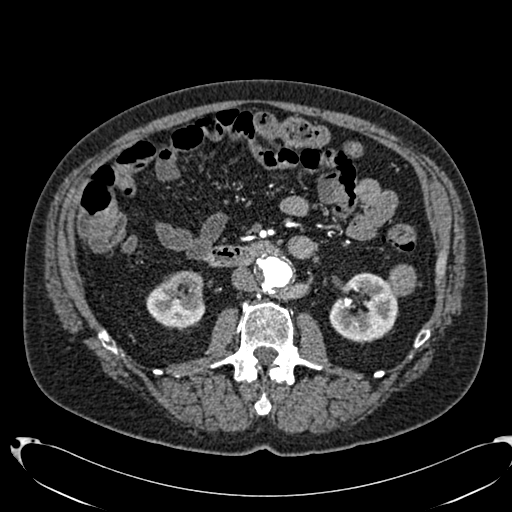
Arterial-phase contrast-enhanced abdominal CT, axial slice 382 of 553 (counted from the lowest slice); tube voltage 120 kVp, convolution kernel B20f; slices 1.00 mm thick, 0.773 mm per pixel.
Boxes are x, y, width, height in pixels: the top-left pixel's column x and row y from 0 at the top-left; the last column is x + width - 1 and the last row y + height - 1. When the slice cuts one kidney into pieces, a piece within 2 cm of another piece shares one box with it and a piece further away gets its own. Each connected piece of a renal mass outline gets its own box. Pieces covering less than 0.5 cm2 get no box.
Two kidney boxes and one renal mass box on this slice; by box centre, from the image's left to its right: (1) Box x 146, y 270, width 60, height 61: right kidney (outlined area 2,671 px, about 16.0 cm2). (2) Box x 329, y 272, width 70, height 73: left kidney (outlined area 3,462 px, about 20.7 cm2). (3) Left renal mass at x 386, y 264, width 33, height 33 (outlined area 767 px, about 4.6 cm2).